One axial slice (287 of 626, counting up from the lowest) of an arterial-phase abdominal CT acquired with 120 kVp, kernel I30f; each pixel is 0.703 mm and the slice is 1.00 mm thick.
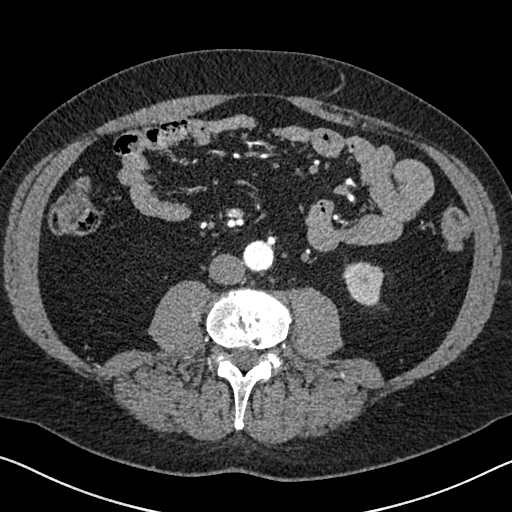
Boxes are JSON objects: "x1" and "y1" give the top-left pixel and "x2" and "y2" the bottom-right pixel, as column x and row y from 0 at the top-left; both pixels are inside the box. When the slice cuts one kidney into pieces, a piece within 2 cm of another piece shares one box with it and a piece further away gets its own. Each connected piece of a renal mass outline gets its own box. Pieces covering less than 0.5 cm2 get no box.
Left kidney at {"x1": 343, "y1": 261, "x2": 384, "y2": 306} (outlined area 1,412 px, about 7.0 cm2). No renal mass is outlined on this slice.